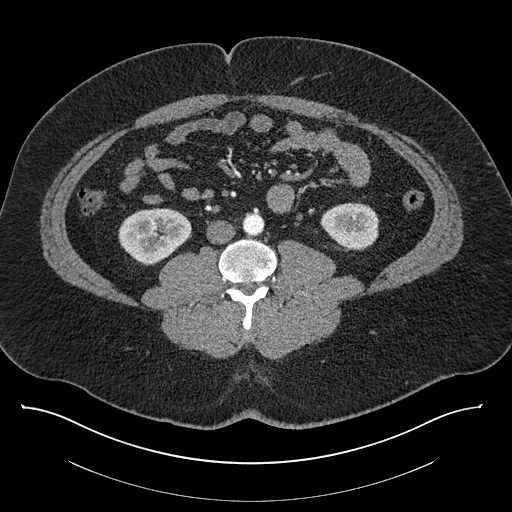
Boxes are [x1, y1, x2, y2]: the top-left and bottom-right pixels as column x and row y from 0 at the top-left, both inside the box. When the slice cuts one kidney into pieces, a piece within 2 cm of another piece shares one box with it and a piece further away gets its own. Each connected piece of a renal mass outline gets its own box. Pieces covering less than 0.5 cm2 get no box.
Contrast-enhanced abdominal CT, axial slice 380 of 787 (counted from the lowest slice); 1.00 mm thick, 0.910 mm per pixel. Two boxes on this slice (two kidney boxes), listed by box centre from the image's left to its right. (1) Right kidney, box [118, 208, 191, 265] (outlined area 3,125 px, about 25.9 cm2). (2) Left kidney, box [320, 202, 379, 249] (outlined area 2,174 px, about 18.0 cm2). No renal mass outline on this slice.
Scan settings: 140 kVp, I30f reconstruction kernel.